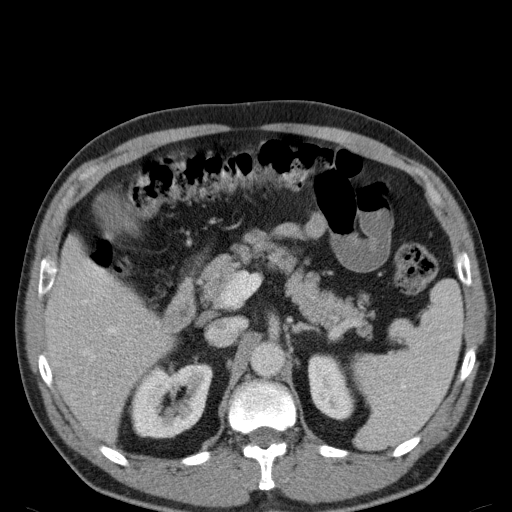
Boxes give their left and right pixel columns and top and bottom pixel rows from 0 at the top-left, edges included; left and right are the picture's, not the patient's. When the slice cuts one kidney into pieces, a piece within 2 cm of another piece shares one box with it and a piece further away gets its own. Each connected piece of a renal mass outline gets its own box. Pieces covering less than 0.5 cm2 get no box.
Contrast-enhanced abdominal CT, axial slice 75 of 107 (counted from the lowest slice); 5.00 mm thick, 0.730 mm per pixel. Boxed on this slice (two kidney boxes), listed by box centre from the image's left to its right: (1) Right kidney, the box with left 129, top 364, right 211, bottom 438 (outlined area 4,775 px, about 25.5 cm2). (2) Box with left 307, top 353, right 355, bottom 420: left kidney (outlined area 2,358 px, about 12.6 cm2). No renal mass outline on this slice.
Acquired at 120 kVp and reconstructed with the B31f kernel.